Axial slice 93 of 316 of a contrast-enhanced abdominal CT in the arterial phase (slice 1 is the lowest), 100 kVp, kernel I40f; 2.00 mm slice thickness and 0.840 mm pixels.
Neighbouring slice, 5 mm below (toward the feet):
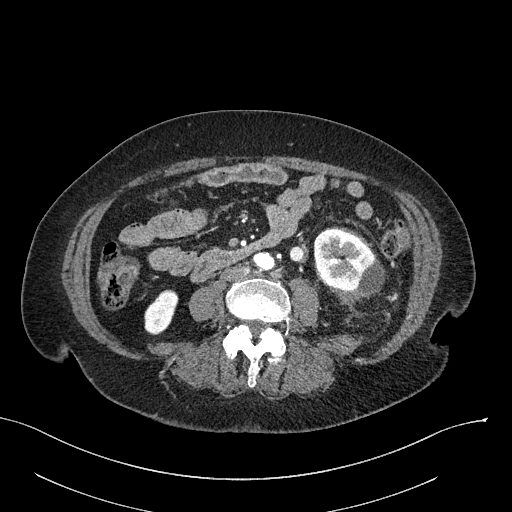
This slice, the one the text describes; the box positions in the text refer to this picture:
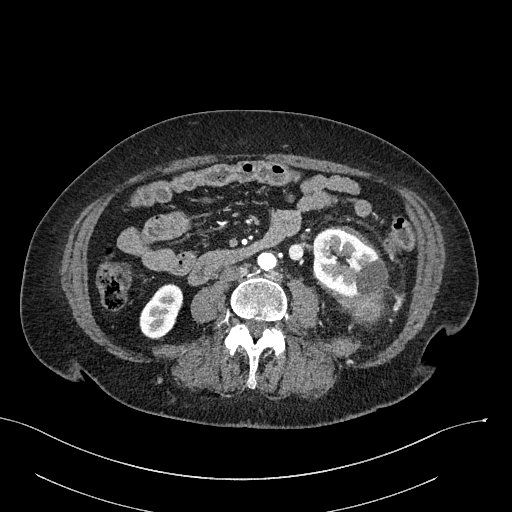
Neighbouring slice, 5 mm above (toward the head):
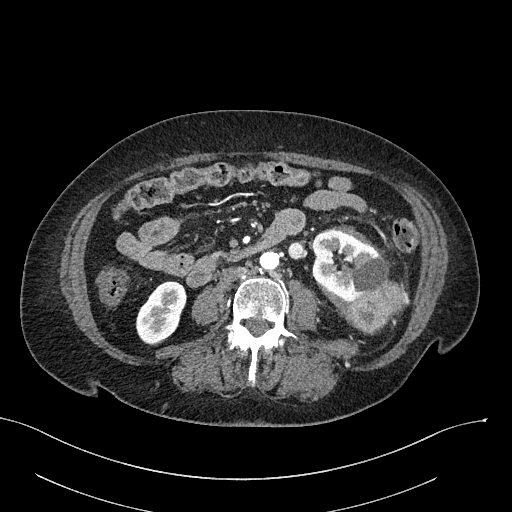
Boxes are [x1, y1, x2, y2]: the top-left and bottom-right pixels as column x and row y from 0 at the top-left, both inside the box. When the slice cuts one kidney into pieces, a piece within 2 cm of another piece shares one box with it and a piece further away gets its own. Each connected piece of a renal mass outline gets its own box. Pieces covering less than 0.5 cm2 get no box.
Two kidney boxes and one renal mass box on this slice; by box centre, from the image's left to its right: (1) Right kidney, box [139, 283, 183, 339] (outlined area 1,707 px, about 12.0 cm2). (2) Box [313, 229, 388, 298]: left kidney (outlined area 3,843 px, about 27.1 cm2). (3) Left renal mass at [350, 293, 385, 324] (outlined area 910 px, about 6.4 cm2). This slice is near the end of the left renal mass toward the feet, so the slices 5 mm below and 5 mm above it are shown as well; the boxes refer to this slice only.